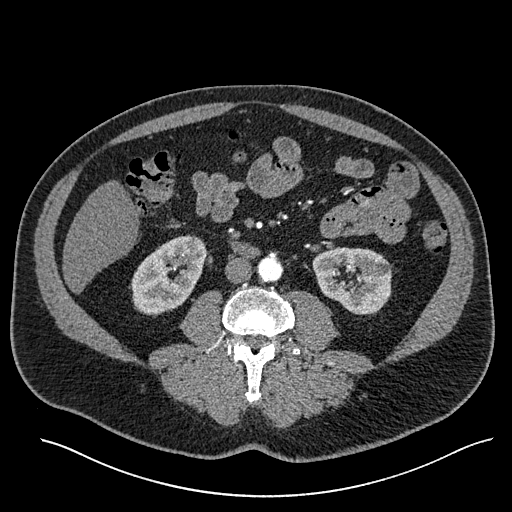
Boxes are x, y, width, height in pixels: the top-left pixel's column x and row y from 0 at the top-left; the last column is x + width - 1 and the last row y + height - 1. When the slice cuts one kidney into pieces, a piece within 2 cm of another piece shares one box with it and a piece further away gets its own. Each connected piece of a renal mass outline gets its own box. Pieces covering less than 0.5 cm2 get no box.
This is axial slice 249 of 527 (slice 1 is the lowest) of an arterial-phase abdominal CT with contrast; each pixel is 0.859 mm and the slice is 1.00 mm thick. Boxed on this slice (two kidney boxes), listed by box centre from the image's left to its right: (1) Right kidney at x 131, y 235, width 77, height 80 (outlined area 4,190 px, about 30.9 cm2). (2) Left kidney, box x 312, y 247, width 80, height 68 (outlined area 4,117 px, about 30.4 cm2). No renal mass is outlined on this slice.
Scan settings: 120 kVp, I30f reconstruction kernel.